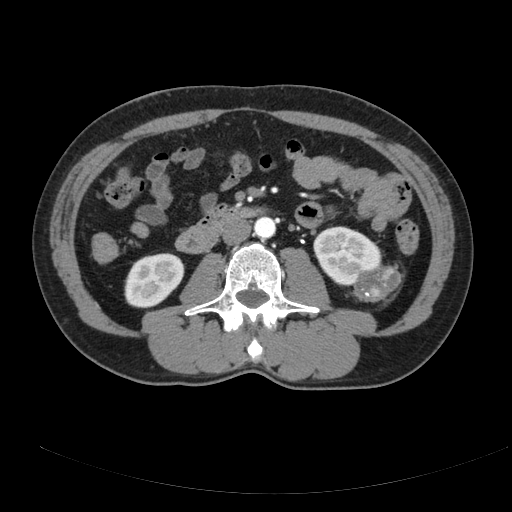
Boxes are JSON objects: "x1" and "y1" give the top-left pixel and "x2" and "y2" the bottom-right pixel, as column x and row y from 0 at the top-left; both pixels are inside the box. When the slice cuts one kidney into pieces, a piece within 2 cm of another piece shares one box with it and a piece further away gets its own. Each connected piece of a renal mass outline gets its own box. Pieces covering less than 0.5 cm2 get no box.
This is axial slice 97 of 178 (slice 1 is the lowest) of an abdominal CT with contrast; each pixel is 0.818 mm and the slice is 3.00 mm thick. Two kidney boxes and one renal mass box on this slice; by box centre, from the image's left to its right: (1) Box {"x1": 124, "y1": 252, "x2": 184, "y2": 308}: right kidney (outlined area 2,536 px, about 17.0 cm2). (2) Left kidney, box {"x1": 313, "y1": 226, "x2": 381, "y2": 286} (outlined area 2,825 px, about 18.9 cm2). (3) Box {"x1": 353, "y1": 264, "x2": 401, "y2": 302}: left renal mass (outlined area 1,391 px, about 9.3 cm2).
Acquired at 120 kVp and reconstructed with the B kernel.